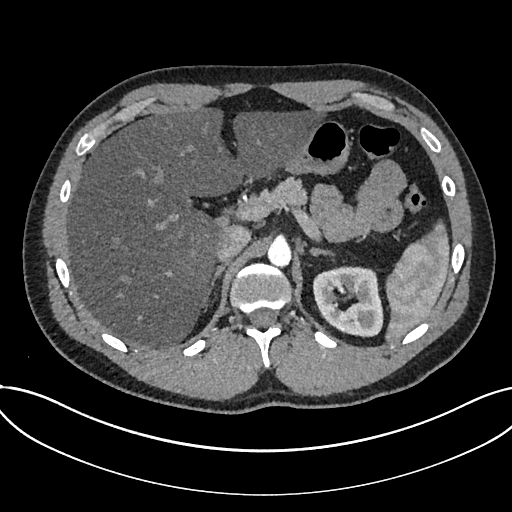
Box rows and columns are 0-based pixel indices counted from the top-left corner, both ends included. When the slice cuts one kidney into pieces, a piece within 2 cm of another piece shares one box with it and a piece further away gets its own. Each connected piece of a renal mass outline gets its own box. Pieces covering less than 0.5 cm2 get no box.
Arterial-phase contrast-enhanced abdominal CT, axial slice 529 of 735 (counted from the lowest slice); 1.00 mm thick, 0.789 mm per pixel. Kidney at rows 266–337, columns 312–383 (outlined area 3,912 px, about 24.4 cm2). No renal mass outline on this slice.
Scan settings: 120 kVp, I30f reconstruction kernel.